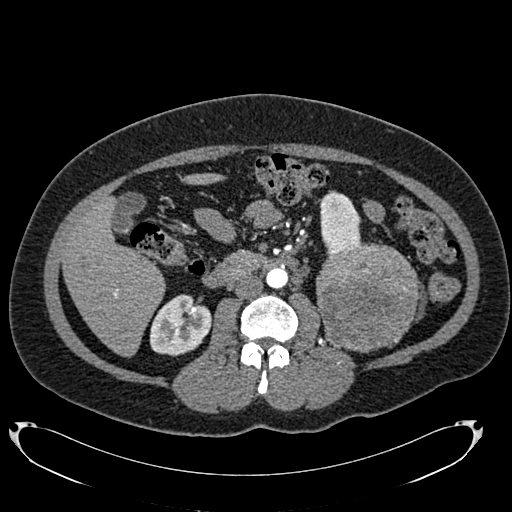
Arterial-phase contrast-enhanced abdominal CT, axial slice 388 of 634 (counted from the lowest slice); tube voltage 120 kVp, convolution kernel B20f; slices 1.00 mm thick, 0.838 mm per pixel.
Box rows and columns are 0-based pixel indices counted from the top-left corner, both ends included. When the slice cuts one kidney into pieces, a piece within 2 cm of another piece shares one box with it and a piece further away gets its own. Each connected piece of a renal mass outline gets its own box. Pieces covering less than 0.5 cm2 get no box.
Three boxes on this slice (two kidney boxes and one renal mass box), listed by box centre from the image's left to its right. (1) Right kidney, box rows 294–356, columns 149–212 (outlined area 2,880 px, about 20.2 cm2). (2) Left kidney at rows 190–257, columns 317–366 (outlined area 2,091 px, about 14.7 cm2). (3) Left renal mass, box rows 243–352, columns 316–419 (outlined area 9,054 px, about 63.6 cm2).